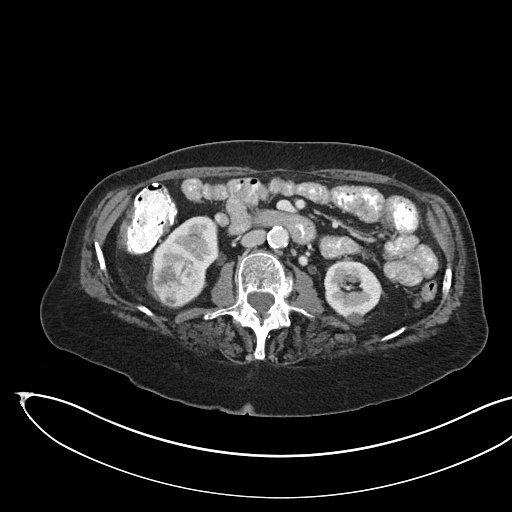
Arterial-phase contrast-enhanced abdominal CT, axial slice 91 of 145 (counted from the lowest slice); tube voltage 100 kVp, convolution kernel I40f; slices 3.00 mm thick, 0.834 mm per pixel.
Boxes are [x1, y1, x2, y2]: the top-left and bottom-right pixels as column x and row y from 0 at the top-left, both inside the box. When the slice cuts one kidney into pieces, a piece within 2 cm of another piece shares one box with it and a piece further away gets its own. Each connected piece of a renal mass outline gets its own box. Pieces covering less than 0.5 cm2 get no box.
Three boxes on this slice (two kidney boxes and one renal mass box), listed by box centre from the image's left to its right. (1) Renal mass, box [151, 259, 203, 306] (outlined area 1,994 px, about 13.9 cm2). (2) Kidney at [152, 216, 218, 282] (outlined area 2,394 px, about 16.7 cm2). (3) Kidney at [324, 261, 382, 325] (outlined area 2,697 px, about 18.8 cm2).